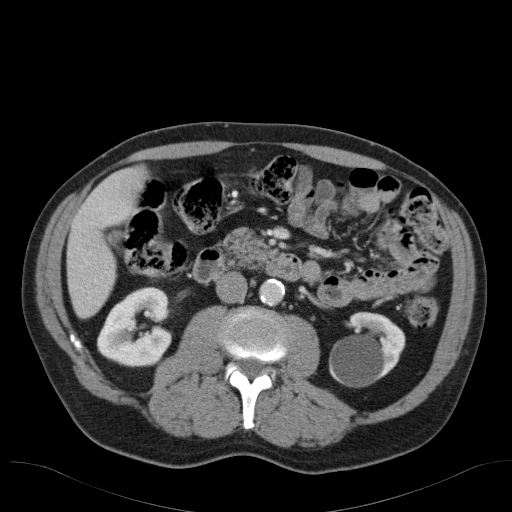
One axial slice (63 of 98, counting up from the lowest) of an arterial-phase abdominal CT acquired with 120 kVp, kernel B31f; each pixel is 0.764 mm and the slice is 5.00 mm thick.
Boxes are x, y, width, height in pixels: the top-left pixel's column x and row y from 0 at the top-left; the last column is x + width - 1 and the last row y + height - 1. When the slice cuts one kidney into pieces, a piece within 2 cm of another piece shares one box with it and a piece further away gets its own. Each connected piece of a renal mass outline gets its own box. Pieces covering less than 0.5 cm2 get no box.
Boxed on this slice (two kidney boxes), listed by box centre from the image's left to its right: (1) Right kidney at x 97, y 286, width 76, height 82 (outlined area 4,431 px, about 25.8 cm2). (2) Left kidney at x 329, y 311, width 77, height 77 (outlined area 4,145 px, about 24.2 cm2). No renal mass is outlined on this slice.